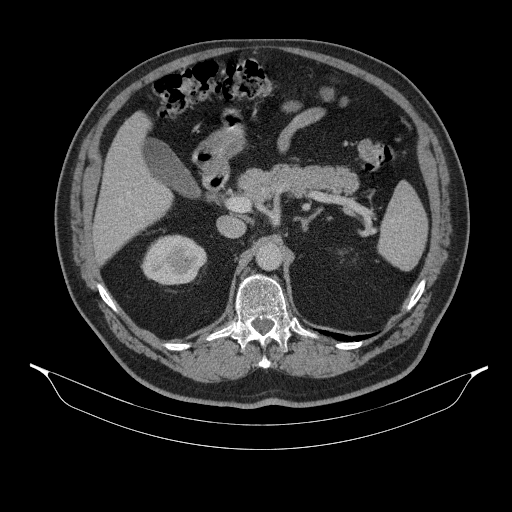
Abdominal CT with intravenous contrast, axial plane, 130 kVp, kernel B31s. Slice 226/314 from the bottom of the scan; thickness 2.50 mm; pixel size 0.934 mm.
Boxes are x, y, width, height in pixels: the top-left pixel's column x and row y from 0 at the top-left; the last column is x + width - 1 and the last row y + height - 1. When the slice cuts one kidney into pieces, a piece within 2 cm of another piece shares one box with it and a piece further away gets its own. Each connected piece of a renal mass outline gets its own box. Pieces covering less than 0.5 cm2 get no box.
Box x 141, y 234, width 66, height 52: right kidney (outlined area 2,552 px, about 22.2 cm2). No renal mass is outlined on this slice.